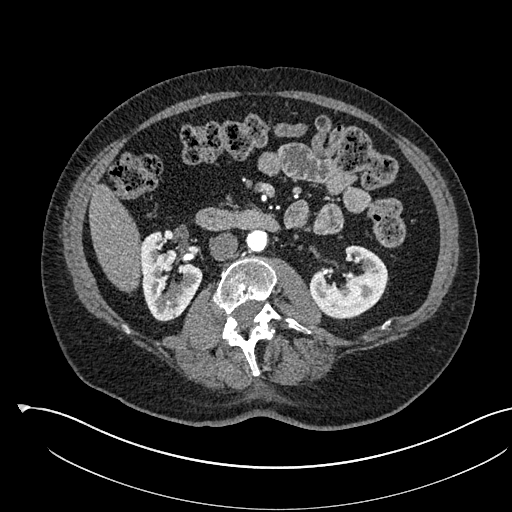
Abdominal CT with intravenous contrast, arterial phase, axial plane, 120 kVp, kernel I30f. Slice 294/541 from the bottom of the scan; thickness 1.00 mm; pixel size 0.834 mm.
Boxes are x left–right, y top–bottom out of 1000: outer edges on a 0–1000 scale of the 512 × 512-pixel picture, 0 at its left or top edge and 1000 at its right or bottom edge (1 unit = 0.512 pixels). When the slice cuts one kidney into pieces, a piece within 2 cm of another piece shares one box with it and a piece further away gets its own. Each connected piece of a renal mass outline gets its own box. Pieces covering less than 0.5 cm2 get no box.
Two boxes on this slice (two kidney boxes), listed by box centre from the image's left to its right. (1) Right kidney at x 275–395, y 449–629 out of 1000 (outlined area 3,689 px, about 25.7 cm2). (2) Left kidney at x 604–760, y 479–625 out of 1000 (outlined area 3,730 px, about 25.9 cm2). No renal mass outline on this slice.